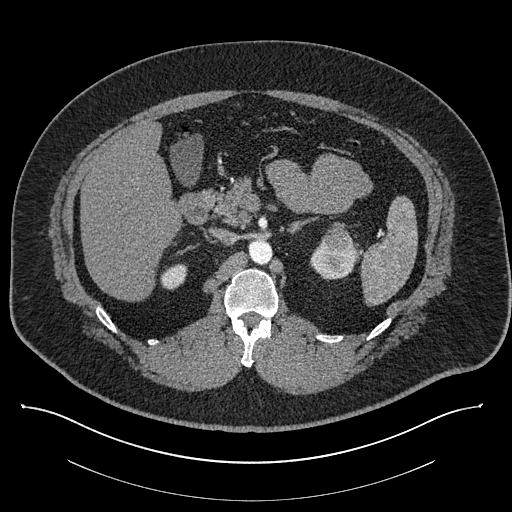
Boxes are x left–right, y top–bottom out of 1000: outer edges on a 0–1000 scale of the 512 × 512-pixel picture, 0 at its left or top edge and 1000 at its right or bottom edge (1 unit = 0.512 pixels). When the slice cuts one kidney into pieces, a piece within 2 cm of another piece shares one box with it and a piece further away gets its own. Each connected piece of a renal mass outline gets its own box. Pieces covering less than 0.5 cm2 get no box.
Contrast-enhanced abdominal CT, axial slice 548 of 787 (counted from the lowest slice); 1.00 mm thick, 0.910 mm per pixel. Two kidney boxes and one renal mass box on this slice; by box centre, from the image's left to its right: (1) Right kidney, box x 314–367, y 514–568 out of 1000 (outlined area 541 px, about 4.5 cm2). (2) Left kidney, box x 604–699, y 471–547 out of 1000 (outlined area 1,198 px, about 9.9 cm2). (3) Left renal mass, box x 627–691, y 443–498 out of 1000 (outlined area 659 px, about 5.5 cm2).
Scan settings: 140 kVp, I30f reconstruction kernel.